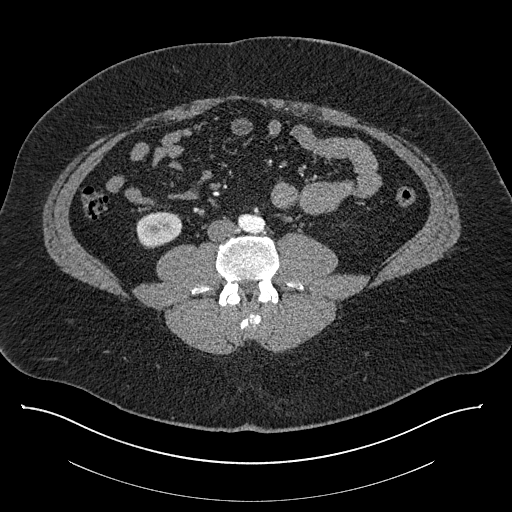
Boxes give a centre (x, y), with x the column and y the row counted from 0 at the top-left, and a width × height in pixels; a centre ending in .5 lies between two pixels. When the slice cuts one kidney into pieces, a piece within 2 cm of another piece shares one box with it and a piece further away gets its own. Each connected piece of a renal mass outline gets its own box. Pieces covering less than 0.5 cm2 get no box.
This is axial slice 337 of 787 (slice 1 is the lowest) of an abdominal CT with contrast; each pixel is 0.910 mm and the slice is 1.00 mm thick. Right kidney in a box with centre (159, 229.5), 47 × 38 pixels (outlined area 1,351 px, about 11.2 cm2). No renal mass is outlined on this slice.
Scan settings: 140 kVp, I30f reconstruction kernel.